Arterial-phase contrast-enhanced abdominal CT, axial slice 107 of 186 (counted from the lowest slice); tube voltage 120 kVp, convolution kernel STANDARD; slices 2.50 mm thick, 0.742 mm per pixel.
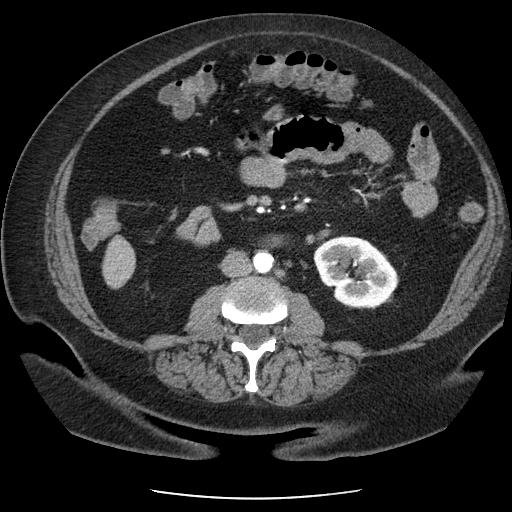
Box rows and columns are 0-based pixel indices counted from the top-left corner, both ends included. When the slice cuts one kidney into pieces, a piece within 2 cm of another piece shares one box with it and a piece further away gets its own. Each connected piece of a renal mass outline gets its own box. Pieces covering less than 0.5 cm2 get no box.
Left kidney, box rows 235–307, columns 313–399 (outlined area 4,509 px, about 24.8 cm2). No renal mass outline on this slice.